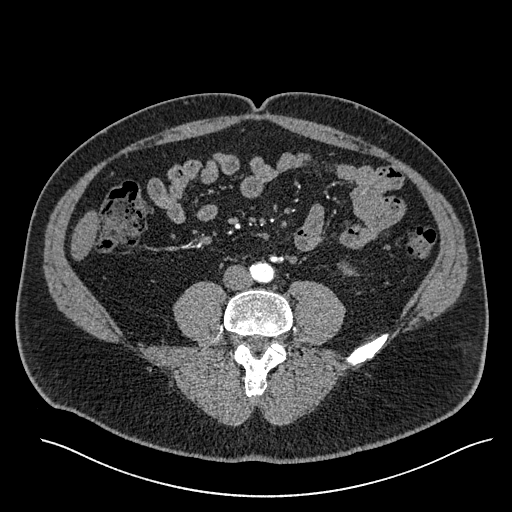
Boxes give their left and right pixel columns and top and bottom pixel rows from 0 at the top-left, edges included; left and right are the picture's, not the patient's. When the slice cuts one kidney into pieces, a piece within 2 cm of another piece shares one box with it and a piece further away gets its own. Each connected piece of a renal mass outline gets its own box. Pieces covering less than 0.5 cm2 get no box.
Arterial-phase contrast-enhanced abdominal CT, axial slice 178 of 527 (counted from the lowest slice); 1.00 mm thick, 0.859 mm per pixel. Box with left 337, top 261, right 356, bottom 275: left kidney (outlined area 167 px, about 1.2 cm2). No renal mass outline on this slice.
Scan settings: 120 kVp, I30f reconstruction kernel.